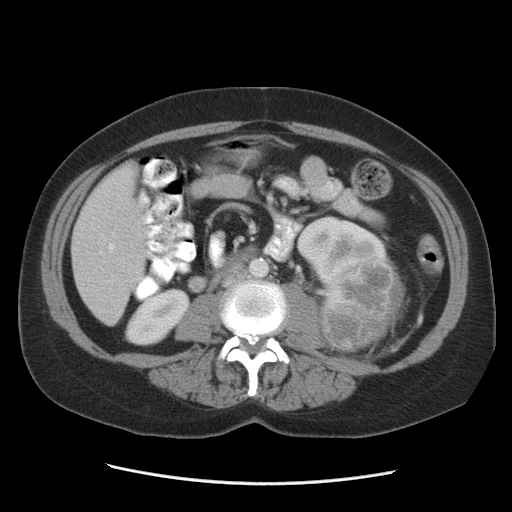
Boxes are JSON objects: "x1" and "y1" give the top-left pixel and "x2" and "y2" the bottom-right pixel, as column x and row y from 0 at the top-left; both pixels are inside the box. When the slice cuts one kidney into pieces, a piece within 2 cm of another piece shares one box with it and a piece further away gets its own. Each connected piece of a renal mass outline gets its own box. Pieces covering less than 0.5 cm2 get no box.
This is axial slice 45 of 84 (slice 1 is the lowest) of an abdominal CT with contrast; each pixel is 0.717 mm and the slice is 5.00 mm thick. Boxed on this slice (two kidney boxes and one renal mass box), listed by box centre from the image's left to its right: (1) Right kidney at {"x1": 124, "y1": 288, "x2": 189, "y2": 346} (outlined area 2,471 px, about 12.7 cm2). (2) Left kidney, box {"x1": 296, "y1": 215, "x2": 389, "y2": 287} (outlined area 3,507 px, about 18.0 cm2). (3) Box {"x1": 319, "y1": 255, "x2": 407, "y2": 352}: left renal mass (outlined area 6,501 px, about 33.4 cm2).
Scan settings: 140 kVp, STANDARD reconstruction kernel.